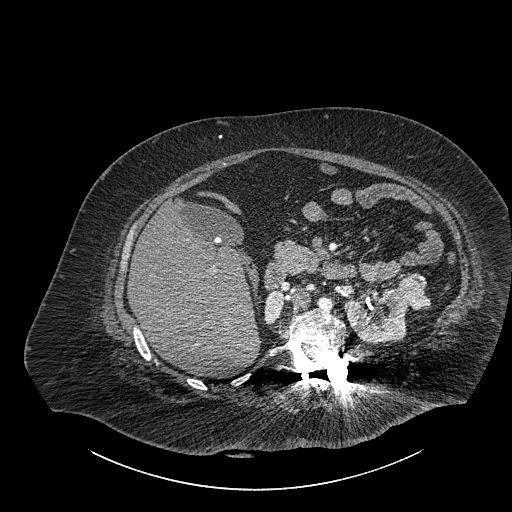
One axial slice (564 of 834, counting up from the lowest) of a contrast-enhanced abdominal CT acquired with 140 kVp, kernel I30f; each pixel is 0.977 mm and the slice is 1.00 mm thick.
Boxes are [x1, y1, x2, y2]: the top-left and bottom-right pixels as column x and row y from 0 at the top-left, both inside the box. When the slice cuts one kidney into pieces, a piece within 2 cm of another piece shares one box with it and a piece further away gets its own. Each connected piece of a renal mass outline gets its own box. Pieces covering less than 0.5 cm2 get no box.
Boxed on this slice (two kidney boxes and one renal mass box), listed by box centre from the image's left to its right: (1) Right part of the midline-crossing kidney, box [264, 290, 284, 323] (outlined area 528 px, about 5.0 cm2). (2) Left part of the midline-crossing kidney, box [344, 288, 408, 342] (outlined area 2,636 px, about 25.1 cm2). (3) Box [396, 273, 430, 310]: renal mass (outlined area 915 px, about 8.7 cm2).